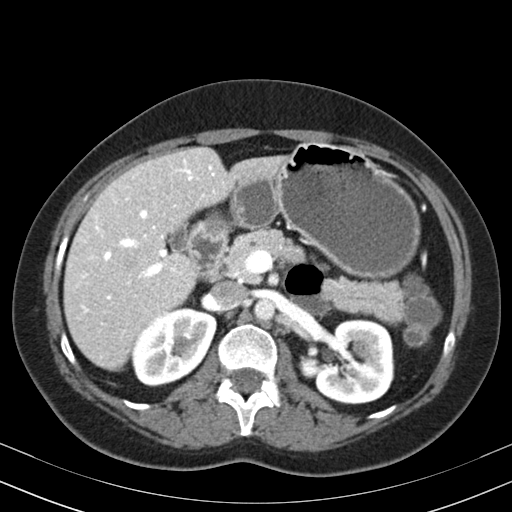
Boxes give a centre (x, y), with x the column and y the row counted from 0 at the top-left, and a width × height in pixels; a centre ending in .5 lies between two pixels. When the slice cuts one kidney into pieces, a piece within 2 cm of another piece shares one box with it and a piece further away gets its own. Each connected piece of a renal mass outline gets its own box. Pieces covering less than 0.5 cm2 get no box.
This is axial slice 121 of 164 (slice 1 is the lowest) of an arterial-phase abdominal CT with contrast; each pixel is 0.664 mm and the slice is 3.00 mm thick. Two boxes on this slice (two kidney boxes), listed by box centre from the image's left to its right. (1) Right kidney in a box with centre (173.5, 347), 86 × 79 pixels (outlined area 4,820 px, about 21.3 cm2). (2) Left kidney in a box with centre (349, 361.5), 91 × 86 pixels (outlined area 5,889 px, about 26.0 cm2). No renal mass outline on this slice.
Tube voltage 130 kVp; convolution kernel B30s.